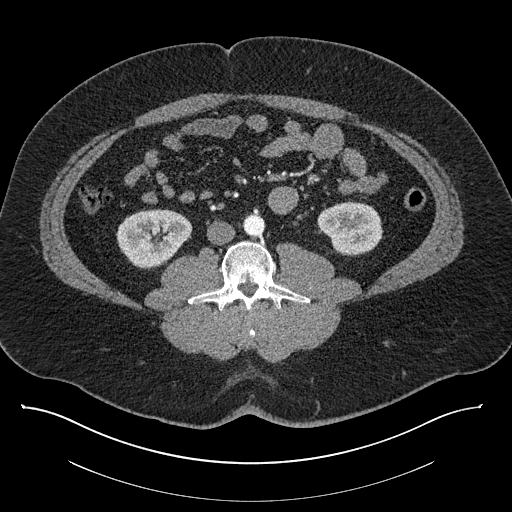
One axial slice (392 of 787, counting up from the lowest) of a contrast-enhanced abdominal CT acquired with 140 kVp, kernel I30f; each pixel is 0.910 mm and the slice is 1.00 mm thick.
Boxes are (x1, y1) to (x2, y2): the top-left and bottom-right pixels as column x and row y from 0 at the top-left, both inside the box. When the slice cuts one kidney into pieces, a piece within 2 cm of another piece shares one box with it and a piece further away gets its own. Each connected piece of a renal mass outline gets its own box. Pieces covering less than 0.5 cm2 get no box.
Boxed on this slice (two kidney boxes), listed by box centre from the image's left to its right: (1) Box (116, 209) to (191, 268): right kidney (outlined area 3,307 px, about 27.4 cm2). (2) Box (317, 200) to (383, 255): left kidney (outlined area 2,711 px, about 22.5 cm2). No renal mass is outlined on this slice.